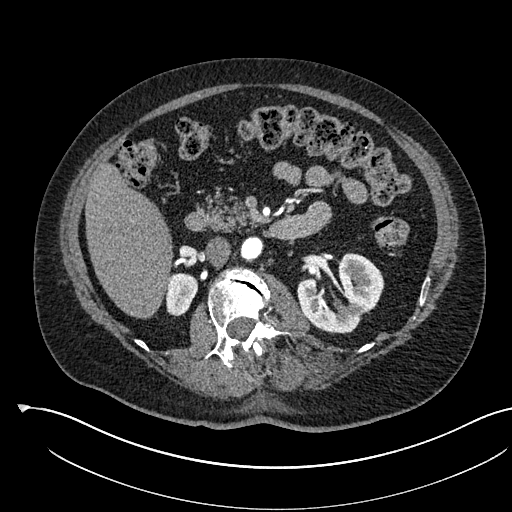
Abdominal CT with intravenous contrast, arterial phase, axial plane, 120 kVp, kernel I30f. Slice 330/541 from the bottom of the scan; thickness 1.00 mm; pixel size 0.834 mm.
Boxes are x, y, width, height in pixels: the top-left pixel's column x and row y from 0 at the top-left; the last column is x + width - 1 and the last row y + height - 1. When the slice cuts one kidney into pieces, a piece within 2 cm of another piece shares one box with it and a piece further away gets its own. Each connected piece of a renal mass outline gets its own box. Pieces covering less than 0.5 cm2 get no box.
Two boxes on this slice (two kidney boxes), listed by box centre from the image's left to its right. (1) Right kidney, box x 166, y 273, width 32, height 44 (outlined area 1,106 px, about 7.7 cm2). (2) Box x 297, y 252, width 88, height 82: left kidney (outlined area 4,639 px, about 32.3 cm2). No renal mass outline on this slice.